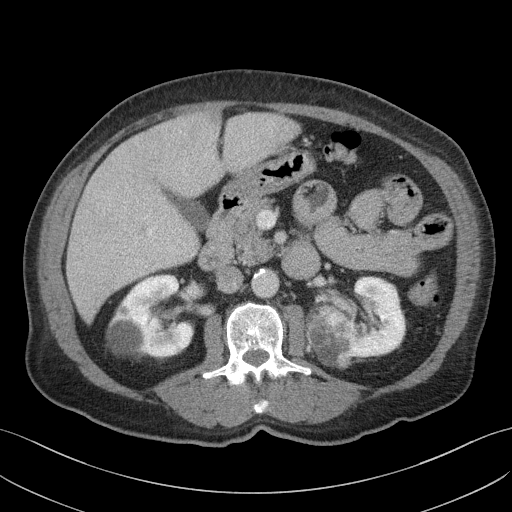
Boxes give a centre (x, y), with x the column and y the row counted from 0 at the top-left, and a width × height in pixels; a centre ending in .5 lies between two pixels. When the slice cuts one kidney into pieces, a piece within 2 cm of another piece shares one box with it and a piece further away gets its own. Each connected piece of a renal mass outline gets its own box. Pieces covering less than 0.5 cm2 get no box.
Slice 71/103 of a contrast-enhanced abdominal CT, counting up from the lowest; pixel size 0.742 mm, slice thickness 4.00 mm. Boxed on this slice (two kidney boxes and one renal mass box), listed by box centre from the image's left to its right: (1) Right kidney in a box with centre (150.5, 315.5), 90 × 84 pixels (outlined area 5,527 px, about 30.4 cm2). (2) Box centre (330.5, 335.5), 52 × 68 pixels: left renal mass (outlined area 2,511 px, about 13.8 cm2). (3) Left kidney in a box with centre (362, 317), 87 × 83 pixels (outlined area 4,172 px, about 23.0 cm2).
Tube voltage 100 kVp; convolution kernel I41f.